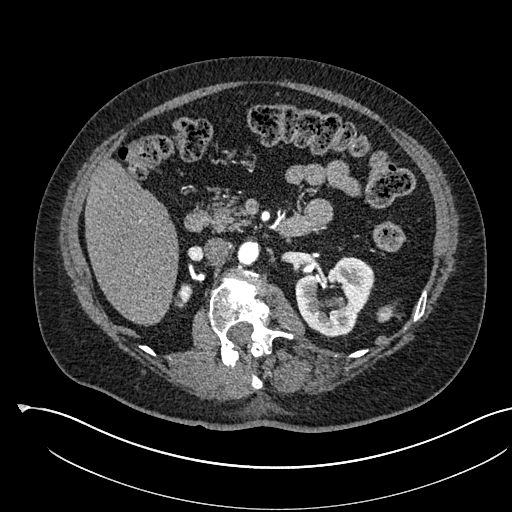
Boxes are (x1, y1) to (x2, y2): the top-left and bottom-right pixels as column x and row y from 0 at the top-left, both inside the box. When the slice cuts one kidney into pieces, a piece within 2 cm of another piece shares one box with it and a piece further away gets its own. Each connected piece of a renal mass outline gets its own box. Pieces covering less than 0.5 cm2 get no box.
This is axial slice 342 of 541 (slice 1 is the lowest) of an arterial-phase abdominal CT with contrast; each pixel is 0.834 mm and the slice is 1.00 mm thick. Two kidney boxes on this slice; by box centre, from the image's left to its right: (1) Box (174, 283) to (192, 307): right kidney (outlined area 299 px, about 2.1 cm2). (2) Left kidney from (295, 256) to (374, 337) (outlined area 4,315 px, about 30.0 cm2). This slice carries no renal mass outline.
Tube voltage 120 kVp; convolution kernel I30f.